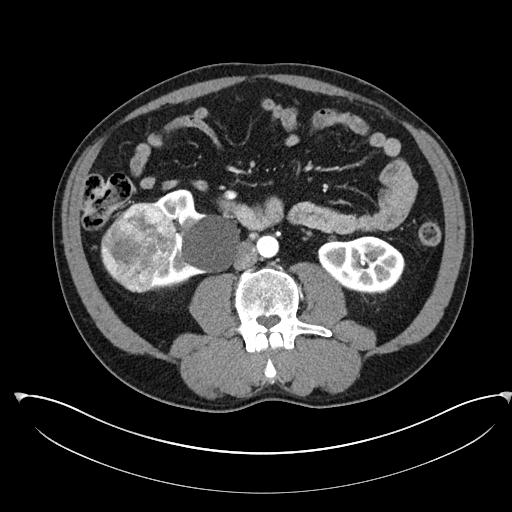
Abdominal CT with intravenous contrast, arterial phase, axial plane, 100 kVp, kernel I30f. Slice 120/302 from the bottom of the scan; thickness 5.00 mm; pixel size 0.875 mm.
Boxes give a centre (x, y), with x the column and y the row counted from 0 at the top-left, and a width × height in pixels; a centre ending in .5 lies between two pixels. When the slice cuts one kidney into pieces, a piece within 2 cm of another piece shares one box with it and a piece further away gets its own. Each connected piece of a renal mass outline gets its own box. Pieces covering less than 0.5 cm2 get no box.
Boxed on this slice (two kidney boxes and one renal mass box), listed by box centre from the image's left to its right: (1) Right renal mass, box centre (138, 247), 77 × 91 pixels (outlined area 4,810 px, about 36.8 cm2). (2) Right kidney, box centre (194, 239.5), 91 × 102 pixels (outlined area 5,092 px, about 39.0 cm2). (3) Left kidney in a box with centre (360.5, 264), 88 × 57 pixels (outlined area 3,775 px, about 28.9 cm2).